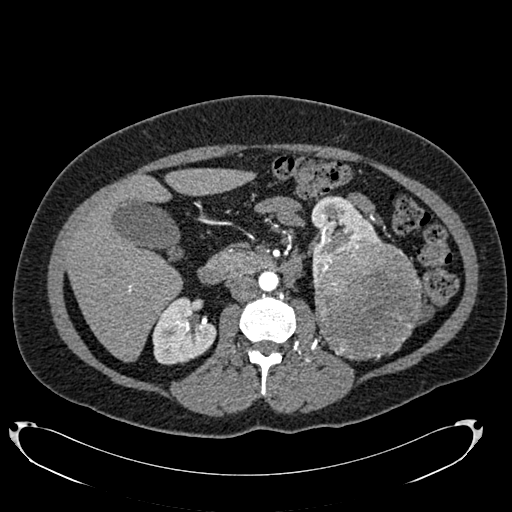
Arterial-phase contrast-enhanced abdominal CT, axial slice 419 of 634 (counted from the lowest slice); tube voltage 120 kVp, convolution kernel B20f; slices 1.00 mm thick, 0.838 mm per pixel.
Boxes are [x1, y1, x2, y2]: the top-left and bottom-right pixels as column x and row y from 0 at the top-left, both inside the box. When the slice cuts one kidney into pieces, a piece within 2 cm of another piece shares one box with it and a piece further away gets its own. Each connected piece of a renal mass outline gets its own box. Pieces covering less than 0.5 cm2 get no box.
Three boxes on this slice (two kidney boxes and one renal mass box), listed by box centre from the image's left to its right. (1) Box [152, 297, 216, 365]: right kidney (outlined area 3,146 px, about 22.1 cm2). (2) Left kidney, box [310, 195, 382, 283] (outlined area 3,121 px, about 21.9 cm2). (3) Left renal mass at [313, 242, 422, 359] (outlined area 10,305 px, about 72.3 cm2).